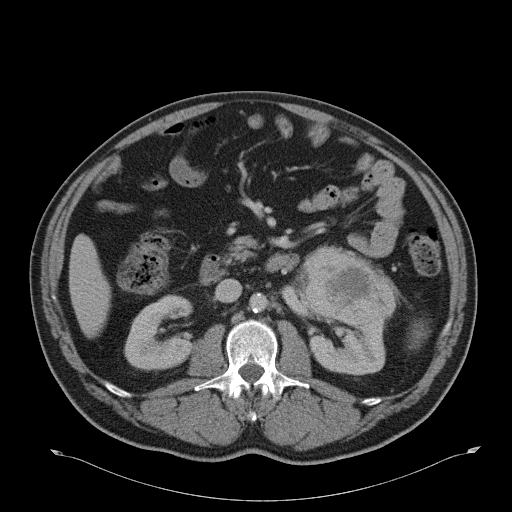
One axial slice (20 of 51, counting up from the lowest) of a contrast-enhanced abdominal CT acquired with 120 kVp, kernel B31f; each pixel is 0.865 mm and the slice is 5.00 mm thick.
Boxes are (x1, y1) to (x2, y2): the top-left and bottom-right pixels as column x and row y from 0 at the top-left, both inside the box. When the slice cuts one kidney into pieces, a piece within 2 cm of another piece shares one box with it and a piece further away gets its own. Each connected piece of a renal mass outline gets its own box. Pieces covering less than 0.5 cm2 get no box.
Two kidney boxes and one renal mass box on this slice; by box centre, from the image's left to its right: (1) Box (124, 294) to (192, 370): right kidney (outlined area 3,742 px, about 28.0 cm2). (2) Left kidney from (309, 318) to (386, 375) (outlined area 3,163 px, about 23.7 cm2). (3) Left renal mass from (304, 247) to (396, 326) (outlined area 5,318 px, about 39.8 cm2).